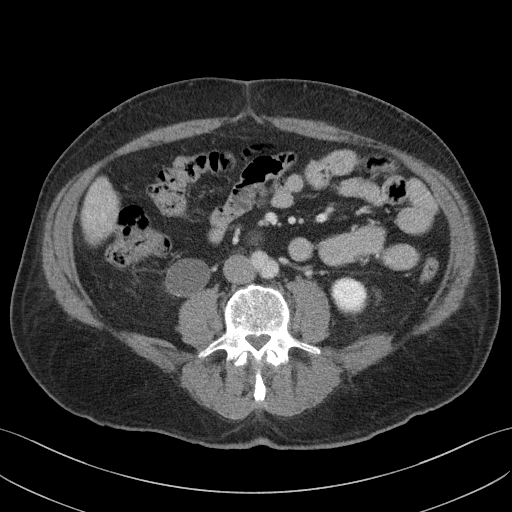
Contrast-enhanced abdominal CT, axial slice 55 of 103 (counted from the lowest slice); tube voltage 100 kVp, convolution kernel I41f; slices 4.00 mm thick, 0.742 mm per pixel.
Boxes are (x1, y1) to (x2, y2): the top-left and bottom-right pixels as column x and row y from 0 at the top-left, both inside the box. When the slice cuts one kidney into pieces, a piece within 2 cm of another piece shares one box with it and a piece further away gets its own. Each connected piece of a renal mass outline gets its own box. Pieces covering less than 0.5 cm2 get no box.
Boxed on this slice (two kidney boxes), listed by box centre from the image's left to its right: (1) Right kidney from (165, 258) to (210, 297) (outlined area 1,412 px, about 7.8 cm2). (2) Box (331, 277) to (366, 313): left kidney (outlined area 1,056 px, about 5.8 cm2). This slice carries no renal mass outline.